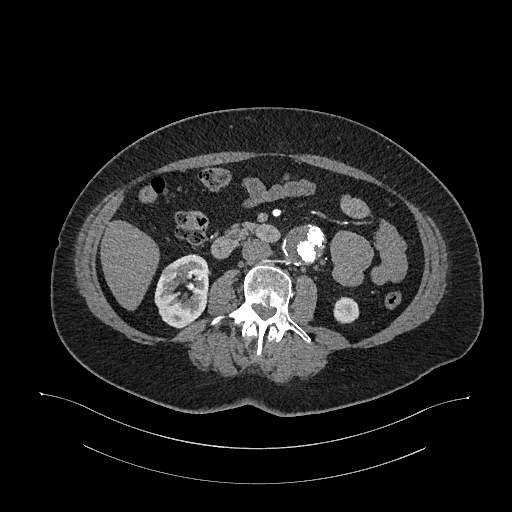
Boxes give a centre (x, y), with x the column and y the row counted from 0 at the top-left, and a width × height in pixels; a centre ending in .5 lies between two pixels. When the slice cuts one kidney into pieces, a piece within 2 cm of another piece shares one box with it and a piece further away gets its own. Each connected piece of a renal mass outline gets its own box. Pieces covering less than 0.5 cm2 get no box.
Arterial-phase contrast-enhanced abdominal CT, axial slice 587 of 987 (counted from the lowest slice); 1.00 mm thick, 0.977 mm per pixel. Two kidney boxes on this slice; by box centre, from the image's left to its right: (1) Box centre (181.5, 291), 56 × 75 pixels: right kidney (outlined area 3,004 px, about 28.6 cm2). (2) Box centre (346, 310), 27 × 27 pixels: left kidney (outlined area 576 px, about 5.5 cm2).
Scan settings: 120 kVp, I26f reconstruction kernel.